Contrast-enhanced abdominal CT, axial slice 106 of 143 (counted from the lowest slice); tube voltage 100 kVp, convolution kernel I41f; slices 5.00 mm thick, 0.734 mm per pixel.
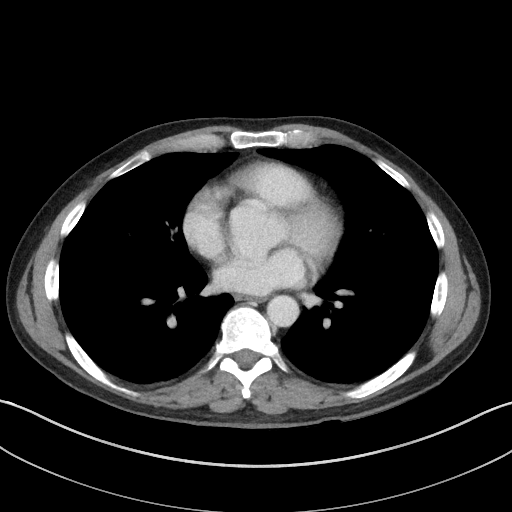
No kidney and no renal mass is outlined on this slice; the outlines in this scan cover only the kidneys and the renal masses, so nothing is said about any other organ.